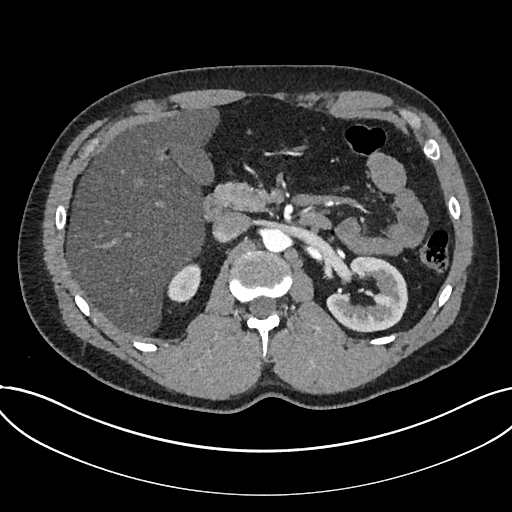
One axial slice (464 of 735, counting up from the lowest) of an arterial-phase abdominal CT acquired with 120 kVp, kernel I30f; each pixel is 0.789 mm and the slice is 1.00 mm thick.
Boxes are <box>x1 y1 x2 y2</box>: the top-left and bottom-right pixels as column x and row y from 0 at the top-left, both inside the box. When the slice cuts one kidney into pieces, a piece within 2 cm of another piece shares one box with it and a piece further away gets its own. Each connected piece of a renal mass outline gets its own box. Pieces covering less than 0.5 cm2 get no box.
Boxed on this slice (two kidney boxes), listed by box centre from the image's left to its right: (1) Kidney at <box>167 263 201 303</box> (outlined area 946 px, about 5.9 cm2). (2) Kidney at <box>326 256 408 332</box> (outlined area 4,130 px, about 25.7 cm2). No renal mass is outlined on this slice.